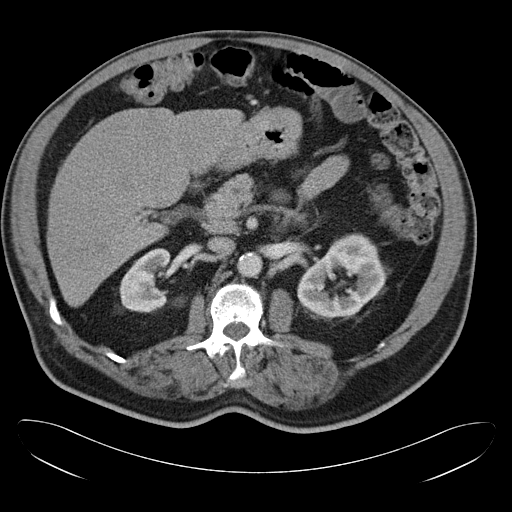
One axial slice (21 of 34, counting up from the lowest) of an arterial-phase abdominal CT acquired with 120 kVp, kernel B30f; each pixel is 0.830 mm and the slice is 5.00 mm thick.
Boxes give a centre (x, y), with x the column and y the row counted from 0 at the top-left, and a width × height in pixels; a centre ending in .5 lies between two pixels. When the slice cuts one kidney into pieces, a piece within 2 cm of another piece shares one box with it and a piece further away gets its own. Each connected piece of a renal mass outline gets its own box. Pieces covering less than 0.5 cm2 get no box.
Two boxes on this slice (two kidney boxes), listed by box centre from the image's left to its right. (1) Box centre (152.5, 280), 66 × 65 pixels: right kidney (outlined area 2,472 px, about 17.0 cm2). (2) Left kidney, box centre (340.5, 275.5), 88 × 86 pixels (outlined area 4,893 px, about 33.7 cm2). No renal mass outline on this slice.